Contrast-enhanced abdominal CT, axial slice 100 of 178 (counted from the lowest slice); tube voltage 120 kVp, convolution kernel B; slices 3.00 mm thick, 0.818 mm per pixel.
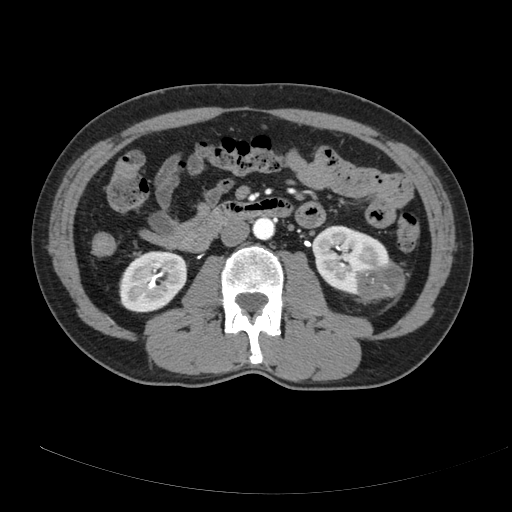
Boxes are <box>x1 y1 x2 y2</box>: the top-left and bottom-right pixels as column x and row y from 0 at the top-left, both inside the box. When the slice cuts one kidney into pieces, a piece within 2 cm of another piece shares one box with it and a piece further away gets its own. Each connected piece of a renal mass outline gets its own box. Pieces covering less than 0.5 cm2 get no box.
Three boxes on this slice (two kidney boxes and one renal mass box), listed by box centre from the image's left to its right. (1) Right kidney: <box>119 251 187 312</box> (outlined area 3,309 px, about 22.2 cm2). (2) Left kidney: <box>312 225 391 295</box> (outlined area 3,426 px, about 22.9 cm2). (3) Left renal mass at <box>356 261 405 302</box> (outlined area 1,542 px, about 10.3 cm2).